Contrast-enhanced abdominal CT, axial slice 104 of 301 (counted from the lowest slice); tube voltage 120 kVp, convolution kernel I40f; slices 2.00 mm thick, 0.859 mm per pixel.
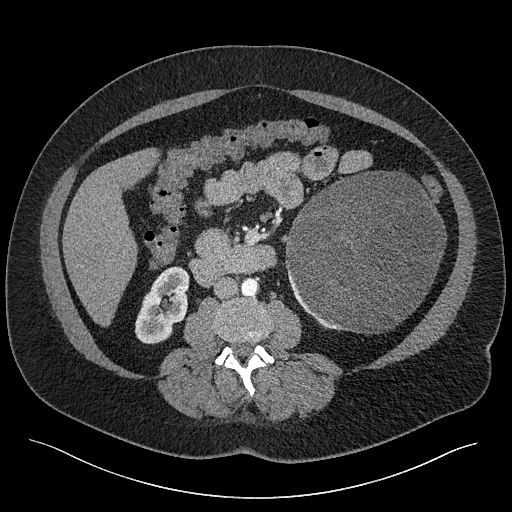
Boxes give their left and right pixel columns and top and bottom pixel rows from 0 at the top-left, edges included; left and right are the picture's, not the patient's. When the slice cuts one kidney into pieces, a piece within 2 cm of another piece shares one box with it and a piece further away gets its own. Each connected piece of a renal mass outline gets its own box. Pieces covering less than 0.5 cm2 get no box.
Boxed on this slice (one kidney box and one renal mass box), listed by box centre from the image's left to its right: (1) Right kidney, the box with left 134, top 266, right 189, bottom 344 (outlined area 2,916 px, about 21.5 cm2). (2) Box with left 285, top 171, right 446, bottom 334: left renal mass (outlined area 20,284 px, about 149.8 cm2); it sits over 1 cm from every kidney outline on this slice, but the same outlined renal mass comes within 1 cm of the kidney on another slice.